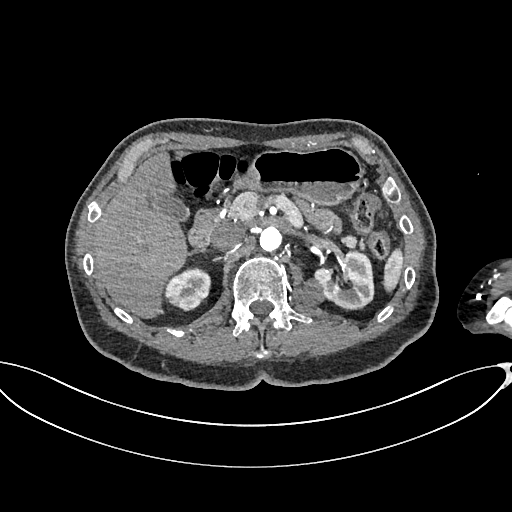
Arterial-phase contrast-enhanced abdominal CT, axial slice 443 of 665 (counted from the lowest slice); tube voltage 100 kVp, convolution kernel I26f; slices 1.00 mm thick, 0.828 mm per pixel.
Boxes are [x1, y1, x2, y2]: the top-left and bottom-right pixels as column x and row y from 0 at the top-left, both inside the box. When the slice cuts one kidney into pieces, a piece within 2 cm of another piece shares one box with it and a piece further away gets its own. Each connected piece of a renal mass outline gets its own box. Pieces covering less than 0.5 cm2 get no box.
Three boxes on this slice (two kidney boxes and one renal mass box), listed by box centre from the image's left to its right. (1) Right kidney, box [164, 269, 211, 311] (outlined area 1,520 px, about 10.4 cm2). (2) Left renal mass at [291, 278, 324, 305] (outlined area 652 px, about 4.5 cm2). (3) Left kidney at [314, 251, 373, 307] (outlined area 2,445 px, about 16.8 cm2).